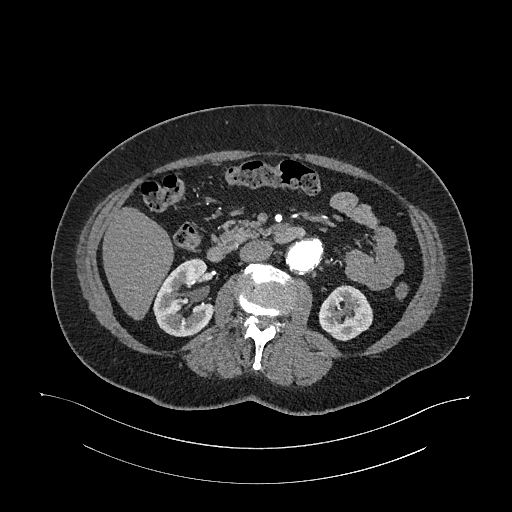
One axial slice (626 of 987, counting up from the lowest) of an arterial-phase abdominal CT acquired with 120 kVp, kernel I26f; each pixel is 0.977 mm and the slice is 1.00 mm thick.
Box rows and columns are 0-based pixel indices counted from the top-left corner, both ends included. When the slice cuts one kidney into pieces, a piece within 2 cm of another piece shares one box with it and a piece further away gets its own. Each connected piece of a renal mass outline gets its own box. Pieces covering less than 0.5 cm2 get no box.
Two boxes on this slice (two kidney boxes), listed by box centre from the image's left to its right. (1) Box rows 258–336, columns 153–213: right kidney (outlined area 3,380 px, about 32.2 cm2). (2) Left kidney at rows 285–341, columns 318–372 (outlined area 2,267 px, about 21.6 cm2). No renal mass outline on this slice.